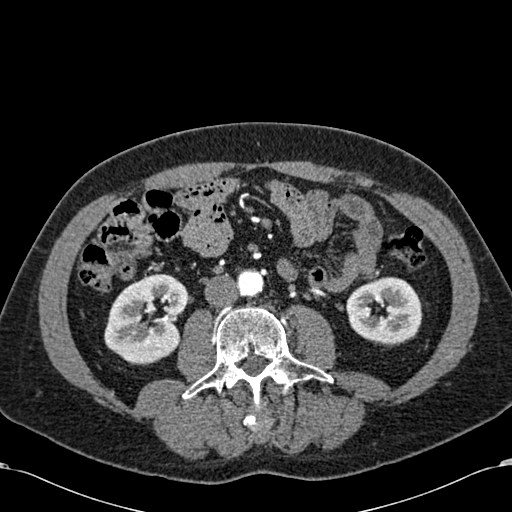
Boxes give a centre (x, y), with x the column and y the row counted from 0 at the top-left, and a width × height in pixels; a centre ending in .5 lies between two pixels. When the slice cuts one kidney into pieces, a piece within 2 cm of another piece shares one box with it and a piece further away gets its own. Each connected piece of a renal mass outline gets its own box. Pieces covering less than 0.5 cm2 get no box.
This is axial slice 271 of 581 (slice 1 is the lowest) of an arterial-phase abdominal CT with contrast; each pixel is 0.713 mm and the slice is 1.00 mm thick. Two boxes on this slice (two kidney boxes), listed by box centre from the image's left to its right. (1) Box centre (146, 318), 85 × 91 pixels: right kidney (outlined area 5,549 px, about 28.2 cm2). (2) Box centre (384, 311.5), 77 × 70 pixels: left kidney (outlined area 4,036 px, about 20.5 cm2). This slice carries no renal mass outline.
Acquired at 120 kVp and reconstructed with the B30f kernel.